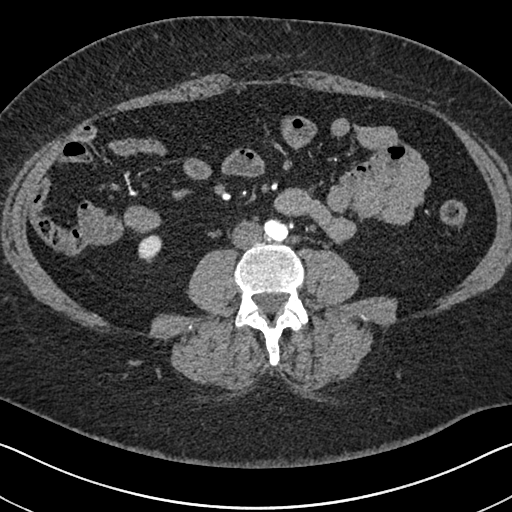
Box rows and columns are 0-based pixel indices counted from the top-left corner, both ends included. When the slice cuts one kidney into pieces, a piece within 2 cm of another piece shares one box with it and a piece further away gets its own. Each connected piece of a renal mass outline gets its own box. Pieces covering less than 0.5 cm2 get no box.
Arterial-phase contrast-enhanced abdominal CT, axial slice 273 of 591 (counted from the lowest slice); 1.00 mm thick, 0.703 mm per pixel. Box rows 234–262, columns 138–162: right kidney (outlined area 499 px, about 2.5 cm2). This slice carries no renal mass outline.
Scan settings: 140 kVp, I30f reconstruction kernel.